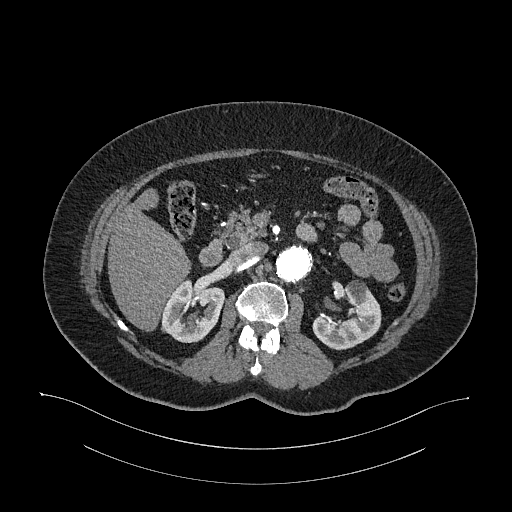
Axial slice 676 of 987 of a contrast-enhanced abdominal CT in the arterial phase (slice 1 is the lowest), 120 kVp, kernel I26f; 1.00 mm slice thickness and 0.977 mm pixels.
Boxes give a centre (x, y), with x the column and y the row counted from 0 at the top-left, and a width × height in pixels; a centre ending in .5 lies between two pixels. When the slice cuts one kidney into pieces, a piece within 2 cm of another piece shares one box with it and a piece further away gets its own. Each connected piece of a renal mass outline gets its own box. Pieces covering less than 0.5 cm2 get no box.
Boxed on this slice (two kidney boxes), listed by box centre from the image's left to its right: (1) Right kidney in a box with centre (192.5, 310.5), 64 × 64 pixels (outlined area 2,923 px, about 27.9 cm2). (2) Box centre (346.5, 315), 70 × 71 pixels: left kidney (outlined area 3,013 px, about 28.7 cm2). No renal mass outline on this slice.